One axial slice (14 of 49, counting up from the lowest) of an arterial-phase abdominal CT acquired with 120 kVp, kernel B31f; each pixel is 0.691 mm and the slice is 5.00 mm thick.
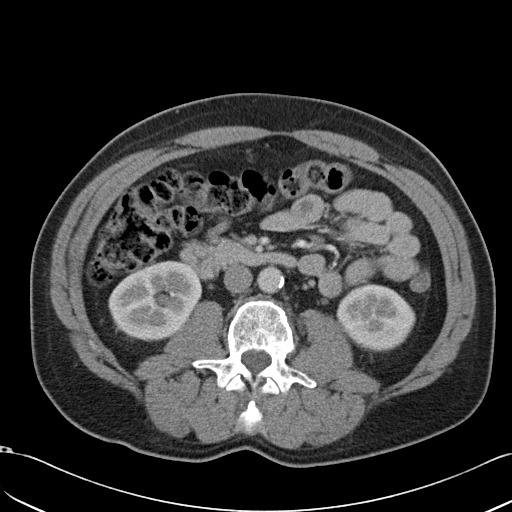
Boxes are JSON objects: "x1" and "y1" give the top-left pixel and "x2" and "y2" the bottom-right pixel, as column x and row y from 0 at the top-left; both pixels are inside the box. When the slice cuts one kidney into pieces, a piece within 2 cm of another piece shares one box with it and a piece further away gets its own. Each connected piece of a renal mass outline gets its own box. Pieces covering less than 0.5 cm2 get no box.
Two kidney boxes on this slice; by box centre, from the image's left to its right: (1) Right kidney, box {"x1": 108, "y1": 261, "x2": 200, "y2": 341} (outlined area 5,471 px, about 26.2 cm2). (2) Box {"x1": 336, "y1": 283, "x2": 415, "y2": 351}: left kidney (outlined area 4,051 px, about 19.4 cm2). No renal mass outline on this slice.